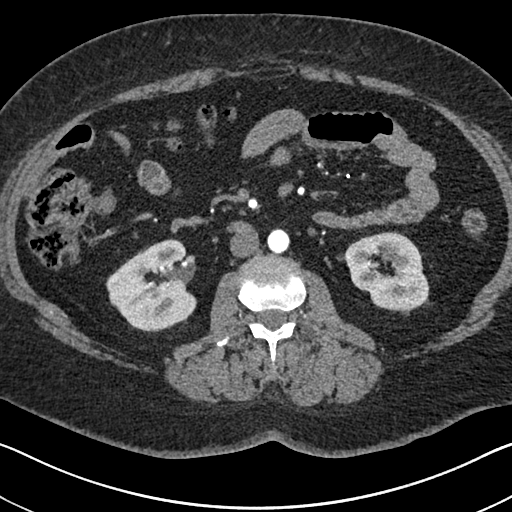
Arterial-phase contrast-enhanced abdominal CT, axial slice 357 of 591 (counted from the lowest slice); tube voltage 140 kVp, convolution kernel I30f; slices 1.00 mm thick, 0.703 mm per pixel.
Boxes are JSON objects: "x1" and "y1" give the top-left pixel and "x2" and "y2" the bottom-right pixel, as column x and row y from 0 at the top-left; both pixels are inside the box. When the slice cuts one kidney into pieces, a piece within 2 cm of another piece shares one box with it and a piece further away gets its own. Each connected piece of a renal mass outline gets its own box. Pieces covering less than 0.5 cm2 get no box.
Boxed on this slice (two kidney boxes), listed by box centre from the image's left to its right: (1) Right kidney at {"x1": 107, "y1": 240, "x2": 197, "y2": 331} (outlined area 5,926 px, about 29.3 cm2). (2) Left kidney at {"x1": 344, "y1": 232, "x2": 429, "y2": 310} (outlined area 4,820 px, about 23.8 cm2). No renal mass outline on this slice.